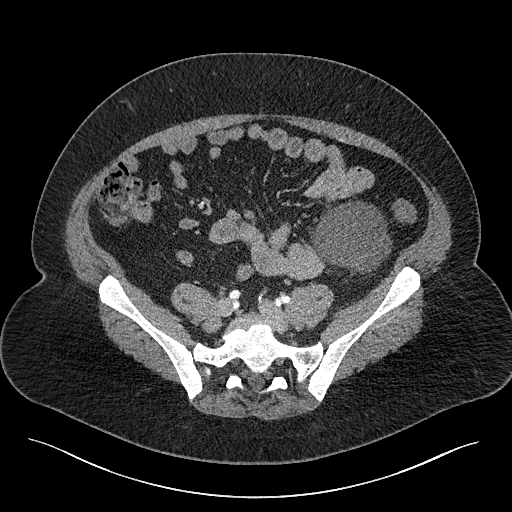
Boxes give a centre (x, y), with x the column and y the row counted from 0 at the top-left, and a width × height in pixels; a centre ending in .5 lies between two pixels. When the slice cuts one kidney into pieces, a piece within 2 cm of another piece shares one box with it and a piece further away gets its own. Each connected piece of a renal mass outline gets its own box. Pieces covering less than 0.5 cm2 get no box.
Slice 30/301 of a contrast-enhanced abdominal CT, counting up from the lowest; pixel size 0.859 mm, slice thickness 2.00 mm. Left renal mass in a box with centre (351.5, 236.5), 82 × 72 pixels (outlined area 4,334 px, about 32.0 cm2); no kidney outline appears on this slice, but the same outlined renal mass comes within 1 cm of the kidney on another slice.
Scan settings: 120 kVp, I40f reconstruction kernel.